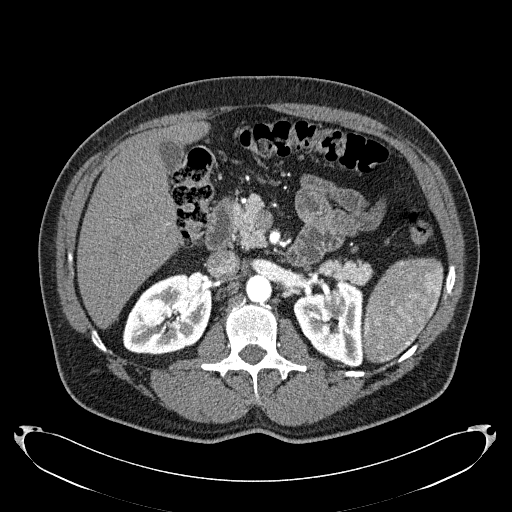
Arterial-phase contrast-enhanced abdominal CT, axial slice 135 of 279 (counted from the lowest slice); tube voltage 120 kVp, convolution kernel B31f; slices 2.00 mm thick, 0.824 mm per pixel.
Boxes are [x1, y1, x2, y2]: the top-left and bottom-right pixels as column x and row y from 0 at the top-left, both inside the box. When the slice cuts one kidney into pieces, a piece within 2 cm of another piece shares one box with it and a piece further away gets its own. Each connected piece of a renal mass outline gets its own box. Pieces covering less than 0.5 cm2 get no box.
Three boxes on this slice (two kidney boxes and one renal mass box), listed by box centre from the image's left to its right. (1) Box [122, 273, 212, 355]: right kidney (outlined area 5,452 px, about 37.0 cm2). (2) Left kidney, box [293, 279, 363, 367] (outlined area 3,924 px, about 26.7 cm2). (3) Box [321, 290, 345, 317]: left renal mass (outlined area 564 px, about 3.8 cm2).